Axial slice 311 of 470 of a contrast-enhanced abdominal CT (slice 1 is the lowest), 100 kVp, kernel I40f; 2.00 mm slice thickness and 0.824 mm pixels.
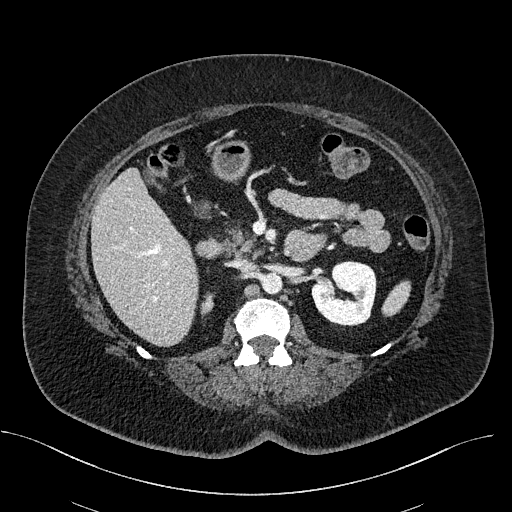
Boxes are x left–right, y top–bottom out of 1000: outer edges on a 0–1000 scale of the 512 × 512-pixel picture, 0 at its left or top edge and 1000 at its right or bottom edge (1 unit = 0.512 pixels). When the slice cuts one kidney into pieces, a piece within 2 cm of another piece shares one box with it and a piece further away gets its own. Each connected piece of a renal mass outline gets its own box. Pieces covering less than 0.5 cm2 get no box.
Two kidney boxes on this slice; by box centre, from the image's left to its right: (1) Box x 391–420, y 570–619 out of 1000: right kidney (outlined area 243 px, about 1.7 cm2). (2) Box x 607–736, y 510–639 out of 1000: left kidney (outlined area 3,252 px, about 22.1 cm2). This slice carries no renal mass outline.